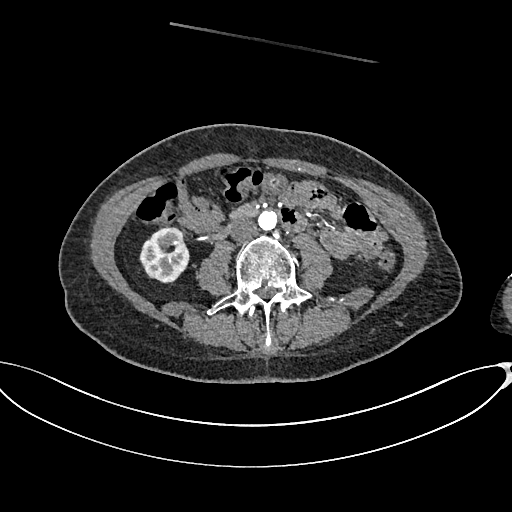
Arterial-phase contrast-enhanced abdominal CT, axial slice 303 of 665 (counted from the lowest slice); tube voltage 100 kVp, convolution kernel I26f; slices 1.00 mm thick, 0.828 mm per pixel.
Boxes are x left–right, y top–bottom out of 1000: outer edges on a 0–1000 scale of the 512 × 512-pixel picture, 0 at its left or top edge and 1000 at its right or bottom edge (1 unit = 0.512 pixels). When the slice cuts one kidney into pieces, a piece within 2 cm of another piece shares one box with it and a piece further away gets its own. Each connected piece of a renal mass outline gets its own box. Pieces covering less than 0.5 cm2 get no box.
Right kidney, box x 271–371, y 441–555 out of 1000 (outlined area 2,141 px, about 14.7 cm2). No renal mass is outlined on this slice.